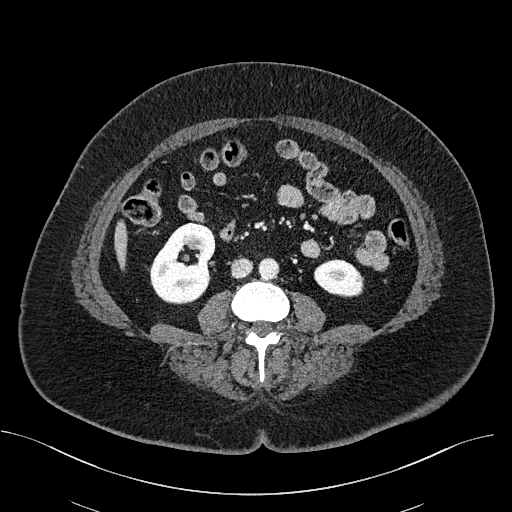
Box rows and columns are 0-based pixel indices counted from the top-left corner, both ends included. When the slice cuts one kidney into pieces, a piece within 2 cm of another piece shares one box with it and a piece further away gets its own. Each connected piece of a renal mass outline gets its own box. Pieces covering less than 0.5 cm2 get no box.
Contrast-enhanced abdominal CT, axial slice 260 of 470 (counted from the lowest slice); 2.00 mm thick, 0.824 mm per pixel. Boxed on this slice (two kidney boxes), listed by box centre from the image's left to its right: (1) Box rows 222–304, columns 149–215: right kidney (outlined area 3,881 px, about 26.4 cm2). (2) Left kidney at rows 259–297, columns 314–363 (outlined area 1,471 px, about 10.0 cm2). This slice carries no renal mass outline.
Scan settings: 100 kVp, I40f reconstruction kernel.